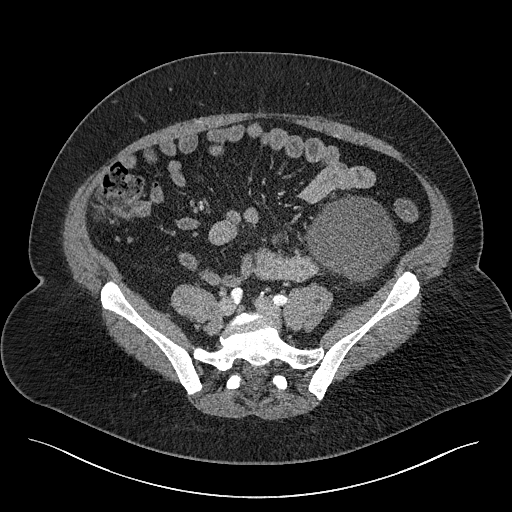
Axial slice 34 of 301 of a contrast-enhanced abdominal CT (slice 1 is the lowest), 120 kVp, kernel I40f; 2.00 mm slice thickness and 0.859 mm pixels.
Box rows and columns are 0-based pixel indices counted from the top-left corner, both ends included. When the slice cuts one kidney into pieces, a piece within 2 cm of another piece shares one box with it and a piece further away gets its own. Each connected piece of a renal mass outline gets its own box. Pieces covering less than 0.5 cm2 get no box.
Box rows 194–282, columns 303–399: left renal mass (outlined area 5,861 px, about 43.3 cm2); no kidney outline appears on this slice, but the same outlined renal mass comes within 1 cm of the kidney on another slice.